Abdominal CT with intravenous contrast, arterial phase, axial plane, 100 kVp, kernel I41f. Slice 49/94 from the bottom of the scan; thickness 5.00 mm; pixel size 0.551 mm.
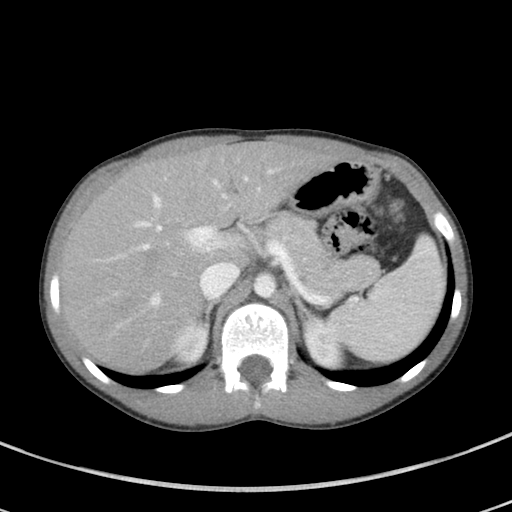
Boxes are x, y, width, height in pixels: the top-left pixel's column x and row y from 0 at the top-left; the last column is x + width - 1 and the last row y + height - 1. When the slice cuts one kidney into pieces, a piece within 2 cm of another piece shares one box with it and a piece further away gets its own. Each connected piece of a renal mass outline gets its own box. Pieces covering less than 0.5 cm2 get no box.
Boxed on this slice (two kidney boxes), listed by box centre from the image's left to its right: (1) Right kidney at x 170, y 324, width 40, height 39 (outlined area 1,270 px, about 3.9 cm2). (2) Box x 301, y 316, width 46, height 54: left kidney (outlined area 1,604 px, about 4.9 cm2). No renal mass outline on this slice.